Arterial-phase contrast-enhanced abdominal CT, axial slice 396 of 705 (counted from the lowest slice); tube voltage 120 kVp, convolution kernel I30f; slices 1.00 mm thick, 0.703 mm per pixel.
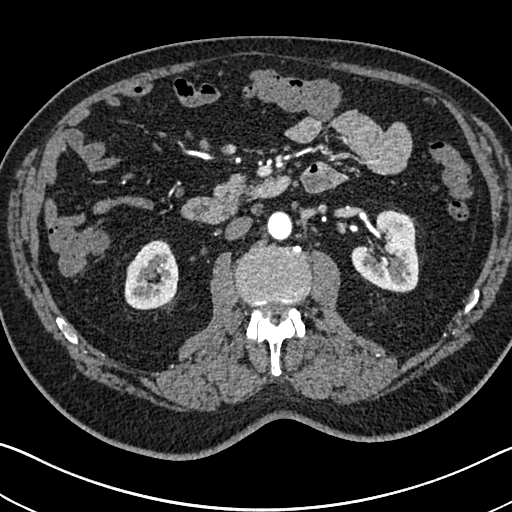
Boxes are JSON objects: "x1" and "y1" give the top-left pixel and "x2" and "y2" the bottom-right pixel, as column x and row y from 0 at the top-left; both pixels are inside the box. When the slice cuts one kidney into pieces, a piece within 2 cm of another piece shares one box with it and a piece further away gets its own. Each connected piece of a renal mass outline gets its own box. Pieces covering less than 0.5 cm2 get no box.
Two kidney boxes on this slice; by box centre, from the image's left to its right: (1) Right kidney, box {"x1": 124, "y1": 239, "x2": 178, "y2": 309} (outlined area 3,000 px, about 14.8 cm2). (2) Box {"x1": 350, "y1": 210, "x2": 419, "y2": 292}: left kidney (outlined area 4,042 px, about 20.0 cm2). No renal mass is outlined on this slice.